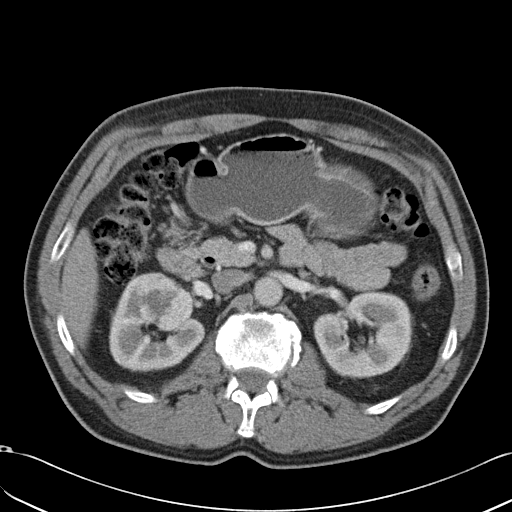
Arterial-phase contrast-enhanced abdominal CT, axial slice 22 of 49 (counted from the lowest slice); tube voltage 120 kVp, convolution kernel B31f; slices 5.00 mm thick, 0.691 mm per pixel.
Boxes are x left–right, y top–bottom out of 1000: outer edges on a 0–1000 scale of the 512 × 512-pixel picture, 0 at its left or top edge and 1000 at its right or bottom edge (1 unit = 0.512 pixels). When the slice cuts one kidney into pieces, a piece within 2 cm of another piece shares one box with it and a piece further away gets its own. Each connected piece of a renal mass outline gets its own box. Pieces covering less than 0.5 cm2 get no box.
Boxed on this slice (two kidney boxes and one renal mass box), listed by box centre from the image's left to its right: (1) Right kidney, box x 213–402, y 537–729 out of 1000 (outlined area 4,514 px, about 21.6 cm2). (2) Right renal mass at x 264–379, y 531–646 out of 1000 (outlined area 2,577 px, about 12.3 cm2). (3) Left kidney at x 611–809, y 570–742 out of 1000 (outlined area 6,442 px, about 30.8 cm2).